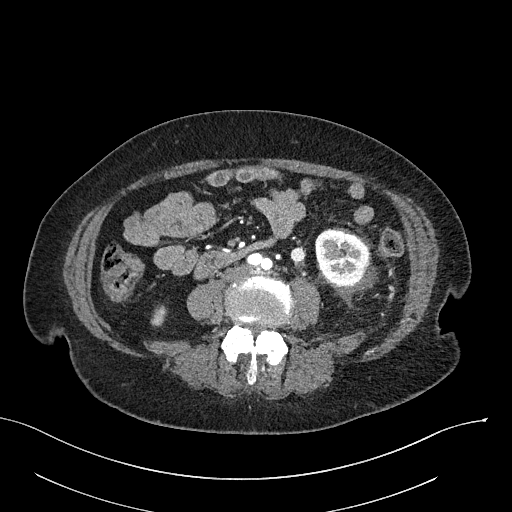
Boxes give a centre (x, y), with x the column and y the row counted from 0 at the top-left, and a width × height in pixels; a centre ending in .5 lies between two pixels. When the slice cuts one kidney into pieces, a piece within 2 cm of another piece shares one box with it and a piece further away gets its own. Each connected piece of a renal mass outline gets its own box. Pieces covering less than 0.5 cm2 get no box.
Arterial-phase contrast-enhanced abdominal CT, axial slice 83 of 316 (counted from the lowest slice); 2.00 mm thick, 0.840 mm per pixel. Two kidney boxes on this slice; by box centre, from the image's left to its right: (1) Right kidney in a box with centre (159.5, 313.5), 16 × 18 pixels (outlined area 212 px, about 1.5 cm2). (2) Box centre (344, 257.5), 59 × 58 pixels: left kidney (outlined area 2,610 px, about 18.4 cm2). This slice carries no renal mass outline.
Scan settings: 100 kVp, I40f reconstruction kernel.